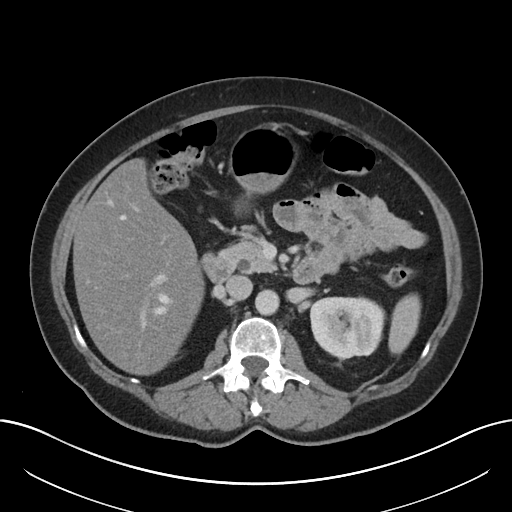
Axial slice 124 of 197 of a contrast-enhanced abdominal CT (slice 1 is the lowest), 120 kVp, kernel I30f; 5.00 mm slice thickness and 0.791 mm pixels.
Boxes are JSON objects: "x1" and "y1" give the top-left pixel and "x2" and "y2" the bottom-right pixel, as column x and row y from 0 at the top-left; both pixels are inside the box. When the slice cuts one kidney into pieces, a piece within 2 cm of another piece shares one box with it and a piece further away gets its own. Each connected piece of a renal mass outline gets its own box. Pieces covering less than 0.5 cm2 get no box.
Box {"x1": 310, "y1": 296, "x2": 384, "y2": 359}: left kidney (outlined area 3,938 px, about 24.6 cm2). This slice carries no renal mass outline.